One axial slice (39 of 121, counting up from the lowest) of a contrast-enhanced abdominal CT acquired with 120 kVp, kernel STANDARD; each pixel is 0.742 mm and the slice is 2.50 mm thick.
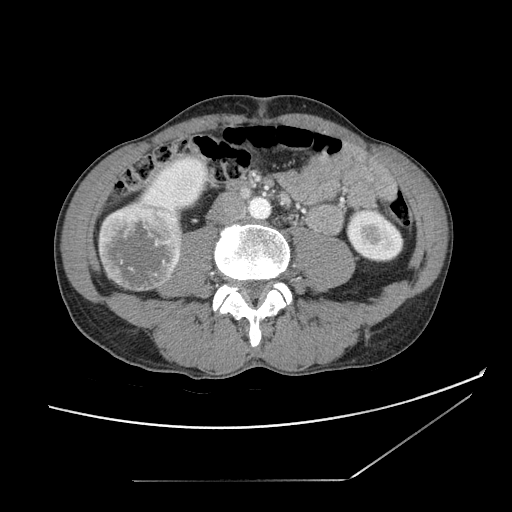
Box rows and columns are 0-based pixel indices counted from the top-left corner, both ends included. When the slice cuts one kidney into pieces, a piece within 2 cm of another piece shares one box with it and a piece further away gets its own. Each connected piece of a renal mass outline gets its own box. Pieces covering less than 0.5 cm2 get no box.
Three boxes on this slice (two kidney boxes and one renal mass box), listed by box centre from the image's left to its right. (1) Box rows 201–291, columns 98–183: right renal mass (outlined area 6,176 px, about 34.0 cm2). (2) Right kidney at rows 156–215, columns 131–208 (outlined area 2,737 px, about 15.1 cm2). (3) Left kidney at rows 208–262, columns 346–404 (outlined area 2,422 px, about 13.3 cm2).